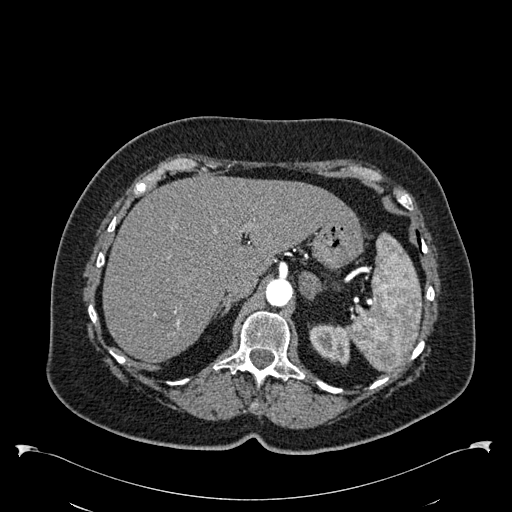
One axial slice (434 of 538, counting up from the lowest) of an arterial-phase abdominal CT acquired with 120 kVp, kernel B30f; each pixel is 0.811 mm and the slice is 1.00 mm thick.
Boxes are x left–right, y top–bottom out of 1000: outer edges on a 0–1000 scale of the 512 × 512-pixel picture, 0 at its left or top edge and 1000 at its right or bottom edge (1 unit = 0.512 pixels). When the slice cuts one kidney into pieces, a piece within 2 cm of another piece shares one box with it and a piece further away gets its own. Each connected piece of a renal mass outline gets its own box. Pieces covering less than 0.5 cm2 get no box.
Left kidney, box x 604–684, y 633–715 out of 1000 (outlined area 1,296 px, about 8.5 cm2). This slice carries no renal mass outline.